Axial slice 334 of 591 of a contrast-enhanced abdominal CT in the arterial phase (slice 1 is the lowest), 140 kVp, kernel I30f; 1.00 mm slice thickness and 0.703 mm pixels.
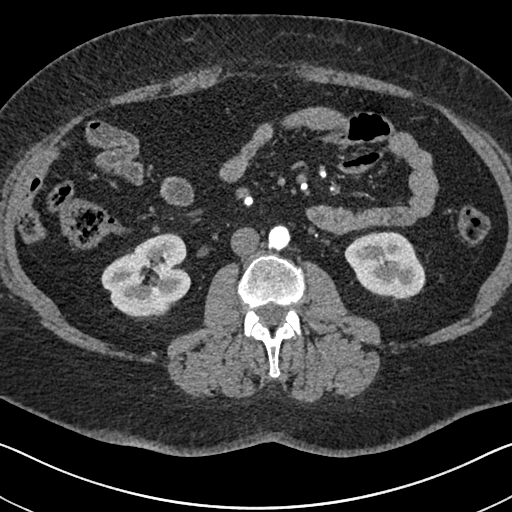
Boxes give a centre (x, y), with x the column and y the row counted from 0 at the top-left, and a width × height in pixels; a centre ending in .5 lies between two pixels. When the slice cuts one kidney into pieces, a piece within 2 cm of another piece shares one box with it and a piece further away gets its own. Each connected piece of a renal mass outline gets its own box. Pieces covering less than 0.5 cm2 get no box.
Two boxes on this slice (two kidney boxes), listed by box centre from the image's left to its right. (1) Box centre (146, 276), 91 × 87 pixels: right kidney (outlined area 5,395 px, about 26.7 cm2). (2) Box centre (384.5, 265.5), 82 × 70 pixels: left kidney (outlined area 4,110 px, about 20.3 cm2). No renal mass outline on this slice.